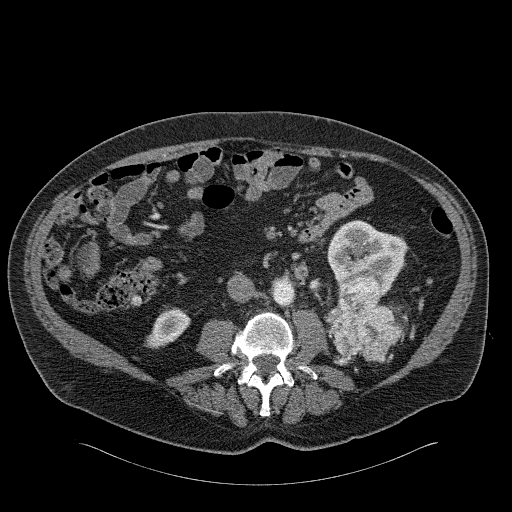
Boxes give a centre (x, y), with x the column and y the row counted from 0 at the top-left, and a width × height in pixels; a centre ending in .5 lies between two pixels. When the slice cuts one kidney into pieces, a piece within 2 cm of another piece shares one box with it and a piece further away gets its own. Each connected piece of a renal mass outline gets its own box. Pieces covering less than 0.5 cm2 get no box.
Slice 85/326 of a contrast-enhanced abdominal CT in the arterial phase, counting up from the lowest; pixel size 0.963 mm, slice thickness 2.00 mm. Boxed on this slice (two kidney boxes and one renal mass box), listed by box centre from the image's left to its right: (1) Right kidney in a box with centre (167, 328), 47 × 41 pixels (outlined area 1,167 px, about 10.8 cm2). (2) Left renal mass, box centre (365.5, 318.5), 74 × 86 pixels (outlined area 4,354 px, about 40.4 cm2). (3) Box centre (366.5, 257.5), 80 × 76 pixels: left kidney (outlined area 3,951 px, about 36.6 cm2).
Acquired at 120 kVp and reconstructed with the B31f kernel.